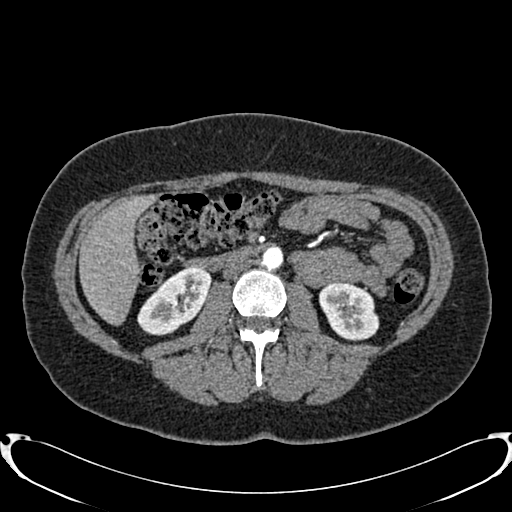
Arterial-phase contrast-enhanced abdominal CT, axial slice 417 of 719 (counted from the lowest slice); tube voltage 120 kVp, convolution kernel B20f; slices 1.00 mm thick, 0.766 mm per pixel.
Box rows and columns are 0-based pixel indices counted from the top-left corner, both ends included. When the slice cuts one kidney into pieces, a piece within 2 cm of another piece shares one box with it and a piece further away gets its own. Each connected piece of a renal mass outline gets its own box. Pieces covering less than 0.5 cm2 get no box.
Two boxes on this slice (two kidney boxes), listed by box centre from the image's left to its right. (1) Box rows 266–335, columns 137–211: right kidney (outlined area 3,273 px, about 19.2 cm2). (2) Box rows 282–340, columns 319–379: left kidney (outlined area 2,681 px, about 15.7 cm2). No renal mass is outlined on this slice.